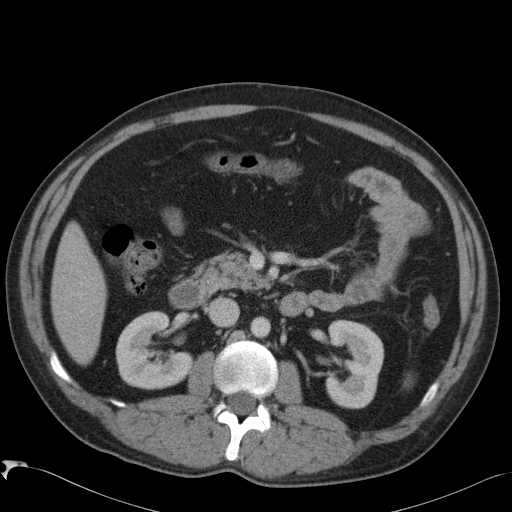
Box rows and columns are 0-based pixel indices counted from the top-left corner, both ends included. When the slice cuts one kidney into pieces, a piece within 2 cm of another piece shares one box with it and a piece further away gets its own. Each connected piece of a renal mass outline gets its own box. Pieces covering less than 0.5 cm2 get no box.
This is axial slice 56 of 88 (slice 1 is the lowest) of an arterial-phase abdominal CT with contrast; each pixel is 0.723 mm and the slice is 5.00 mm thick. Boxed on this slice (two kidney boxes), listed by box centre from the image's left to its right: (1) Right kidney, box rows 311–389, columns 115–193 (outlined area 4,317 px, about 22.5 cm2). (2) Left kidney, box rows 319–408, columns 324–384 (outlined area 4,027 px, about 21.0 cm2). No renal mass is outlined on this slice.
Acquired at 120 kVp and reconstructed with the B41f kernel.